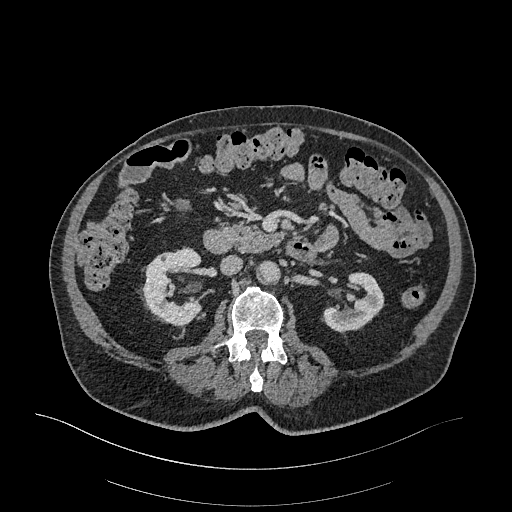
Arterial-phase contrast-enhanced abdominal CT, axial slice 158 of 470 (counted from the lowest slice); tube voltage 120 kVp, convolution kernel I26f; slices 1.00 mm thick, 0.938 mm per pixel.
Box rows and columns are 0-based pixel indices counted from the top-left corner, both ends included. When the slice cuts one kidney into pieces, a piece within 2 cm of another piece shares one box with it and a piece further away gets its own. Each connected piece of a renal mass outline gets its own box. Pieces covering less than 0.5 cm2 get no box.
Boxed on this slice (two kidney boxes), listed by box centre from the image's left to its right: (1) Right kidney at rows 246–325, columns 141–201 (outlined area 3,376 px, about 29.7 cm2). (2) Box rows 272–333, columns 323–384: left kidney (outlined area 2,298 px, about 20.2 cm2). This slice carries no renal mass outline.